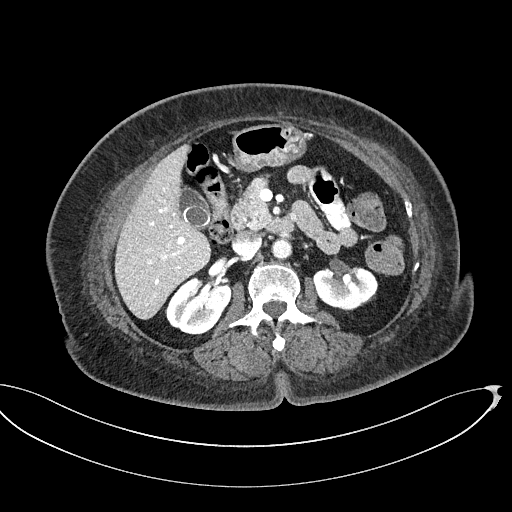
Contrast-enhanced abdominal CT, axial slice 304 of 439 (counted from the lowest slice); tube voltage 100 kVp, convolution kernel I40f; slices 2.00 mm thick, 0.850 mm per pixel.
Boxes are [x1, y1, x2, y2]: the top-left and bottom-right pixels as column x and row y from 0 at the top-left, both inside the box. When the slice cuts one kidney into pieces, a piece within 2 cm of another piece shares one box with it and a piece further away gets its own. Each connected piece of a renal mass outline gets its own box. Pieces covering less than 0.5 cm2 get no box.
Boxed on this slice (two kidney boxes), listed by box centre from the image's left to its right: (1) Right kidney at [165, 277, 230, 334] (outlined area 2,746 px, about 19.8 cm2). (2) Left kidney, box [313, 267, 378, 311] (outlined area 2,264 px, about 16.3 cm2). No renal mass is outlined on this slice.